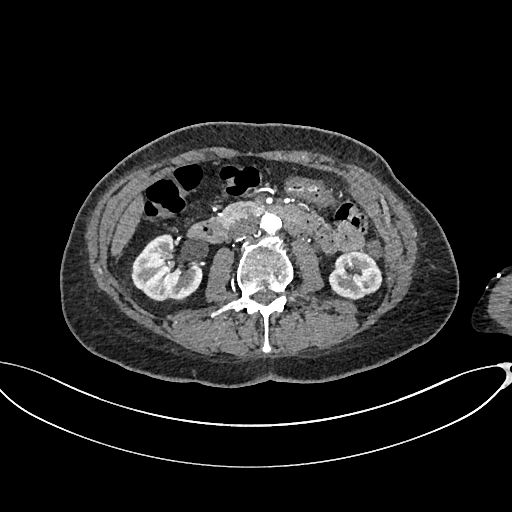
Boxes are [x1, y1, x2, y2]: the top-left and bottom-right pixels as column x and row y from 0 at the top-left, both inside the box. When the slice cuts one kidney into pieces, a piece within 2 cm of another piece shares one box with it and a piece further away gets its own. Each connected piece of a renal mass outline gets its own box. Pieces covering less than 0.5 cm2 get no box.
Slice 360/665 of a contrast-enhanced abdominal CT in the arterial phase, counting up from the lowest; pixel size 0.828 mm, slice thickness 1.00 mm. Two kidney boxes on this slice; by box centre, from the image's left to its right: (1) Right kidney, box [131, 234, 202, 301] (outlined area 3,397 px, about 23.3 cm2). (2) Left kidney, box [328, 252, 382, 299] (outlined area 2,010 px, about 13.8 cm2). No renal mass outline on this slice.
Scan settings: 100 kVp, I26f reconstruction kernel.